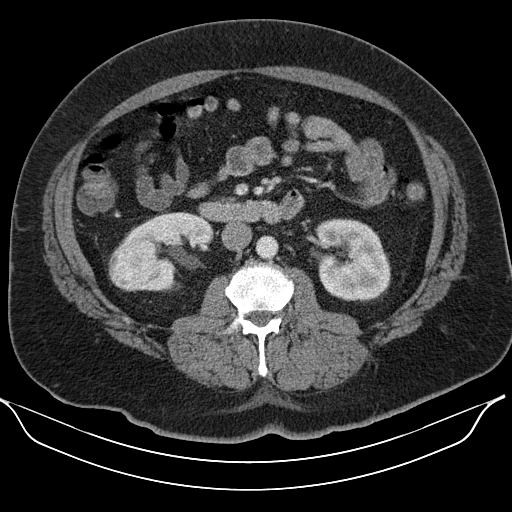
Axial slice 65 of 110 of a contrast-enhanced abdominal CT in the arterial phase (slice 1 is the lowest), 130 kVp, kernel B30s; 5.00 mm slice thickness and 0.836 mm pixels.
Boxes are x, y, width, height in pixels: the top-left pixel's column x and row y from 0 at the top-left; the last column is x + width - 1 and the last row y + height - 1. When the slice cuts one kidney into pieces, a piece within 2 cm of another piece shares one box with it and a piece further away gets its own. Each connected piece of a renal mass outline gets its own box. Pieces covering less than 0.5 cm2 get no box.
Three boxes on this slice (two kidney boxes and one renal mass box), listed by box centre from the image's left to its right. (1) Box x 108, y 237, width 49, height 55: right renal mass (outlined area 2,042 px, about 14.3 cm2). (2) Right kidney, box x 120, y 211, width 94, height 81 (outlined area 3,710 px, about 25.9 cm2). (3) Left kidney, box x 314, y 218, width 77, height 84 (outlined area 5,114 px, about 35.7 cm2).